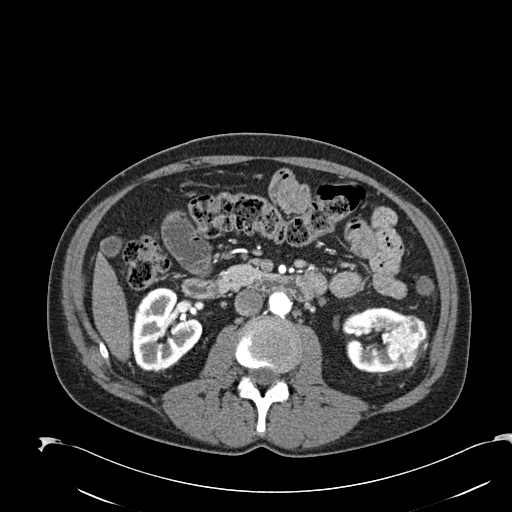
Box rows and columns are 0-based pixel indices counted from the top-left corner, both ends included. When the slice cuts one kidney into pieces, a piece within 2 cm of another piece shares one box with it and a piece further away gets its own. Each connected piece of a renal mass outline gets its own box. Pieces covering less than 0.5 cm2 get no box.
Slice 106/274 of a contrast-enhanced abdominal CT in the arterial phase, counting up from the lowest; pixel size 0.809 mm, slice thickness 2.00 mm. Two kidney boxes and one renal mass box on this slice; by box centre, from the image's left to its right: (1) Right kidney at rows 288–372, columns 131–202 (outlined area 4,271 px, about 27.9 cm2). (2) Left kidney at rows 307–374, columns 345–405 (outlined area 2,617 px, about 17.1 cm2). (3) Left renal mass at rows 315–371, columns 385–427 (outlined area 1,692 px, about 11.1 cm2).
Acquired at 120 kVp and reconstructed with the B30f kernel.